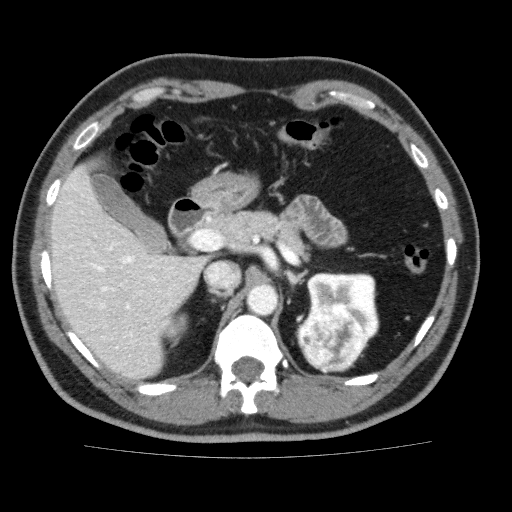
One axial slice (118 of 159, counting up from the lowest) of a contrast-enhanced abdominal CT acquired with 120 kVp, kernel FC13; each pixel is 0.668 mm and the slice is 3.00 mm thick.
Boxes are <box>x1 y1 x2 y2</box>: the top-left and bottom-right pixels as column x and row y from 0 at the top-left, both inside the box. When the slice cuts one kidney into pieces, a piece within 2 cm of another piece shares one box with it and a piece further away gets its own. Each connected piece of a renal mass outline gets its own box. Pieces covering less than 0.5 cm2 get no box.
Three boxes on this slice (two kidney boxes and one renal mass box), listed by box centre from the image's left to its right. (1) Right kidney: <box>161 311 188 347</box> (outlined area 605 px, about 2.7 cm2). (2) Left renal mass: <box>295 306 366 373</box> (outlined area 3,649 px, about 16.3 cm2). (3) At <box>306 272 379 346</box>: left kidney (outlined area 2,929 px, about 13.1 cm2).